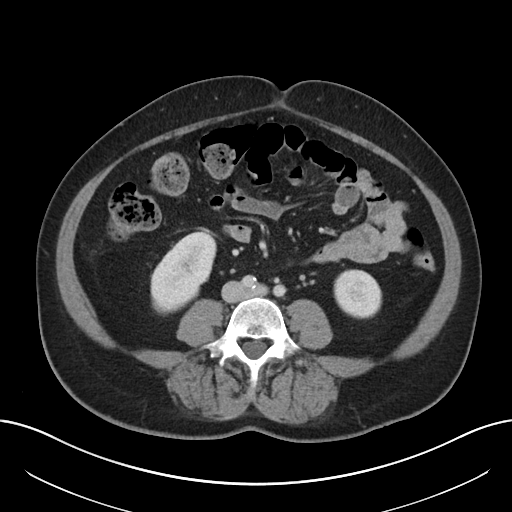
Axial slice 94 of 197 of a contrast-enhanced abdominal CT (slice 1 is the lowest), 120 kVp, kernel I30f; 5.00 mm slice thickness and 0.791 mm pixels.
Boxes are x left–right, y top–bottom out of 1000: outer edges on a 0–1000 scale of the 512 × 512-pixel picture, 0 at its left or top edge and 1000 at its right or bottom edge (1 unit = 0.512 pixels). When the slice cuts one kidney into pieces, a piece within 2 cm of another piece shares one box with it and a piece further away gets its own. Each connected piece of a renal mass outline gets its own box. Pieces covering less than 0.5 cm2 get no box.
Two kidney boxes on this slice; by box centre, from the image's left to its right: (1) Right kidney, box x 293–424, y 443–617 out of 1000 (outlined area 3,806 px, about 23.8 cm2). (2) Box x 650–748, y 527–623 out of 1000: left kidney (outlined area 1,905 px, about 11.9 cm2). No renal mass outline on this slice.